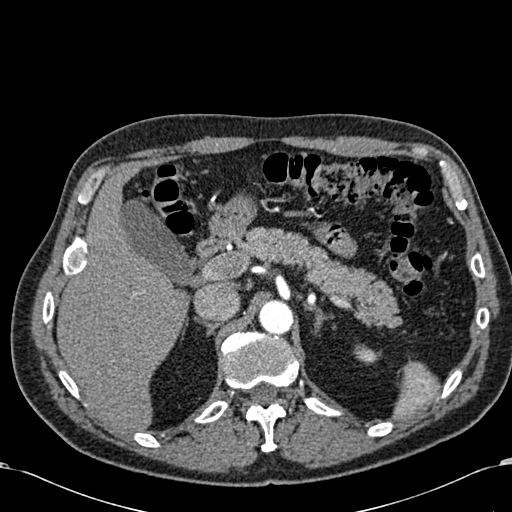
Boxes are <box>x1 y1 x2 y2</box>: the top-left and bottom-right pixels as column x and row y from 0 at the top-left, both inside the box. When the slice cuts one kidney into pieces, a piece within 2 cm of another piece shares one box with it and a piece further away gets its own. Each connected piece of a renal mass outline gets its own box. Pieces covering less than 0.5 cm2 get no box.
Slice 453/581 of a contrast-enhanced abdominal CT in the arterial phase, counting up from the lowest; pixel size 0.713 mm, slice thickness 1.00 mm. At <box>353 344 375 364</box>: left kidney (outlined area 319 px, about 1.6 cm2). This slice carries no renal mass outline.
Acquired at 120 kVp and reconstructed with the B30f kernel.